Abdominal CT with intravenous contrast, arterial phase, axial plane, 120 kVp, kernel B20f. Slice 370/634 from the bottom of the scan; thickness 1.00 mm; pixel size 0.838 mm.
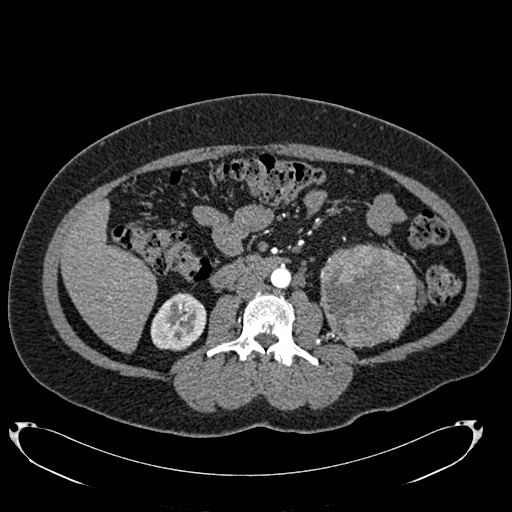
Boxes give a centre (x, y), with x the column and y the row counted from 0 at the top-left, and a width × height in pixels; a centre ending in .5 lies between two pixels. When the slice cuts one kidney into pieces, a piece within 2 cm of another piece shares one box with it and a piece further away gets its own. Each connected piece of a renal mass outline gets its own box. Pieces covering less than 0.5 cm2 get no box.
Two boxes on this slice (one kidney box and one renal mass box), listed by box centre from the image's left to its right. (1) Box centre (178, 321), 57 × 59 pixels: right kidney (outlined area 2,492 px, about 17.5 cm2). (2) Left renal mass, box centre (368, 295.5), 97 × 104 pixels (outlined area 8,106 px, about 56.9 cm2); it sits over 1 cm from every kidney outline on this slice, but the same outlined renal mass comes within 1 cm of the kidney on another slice.